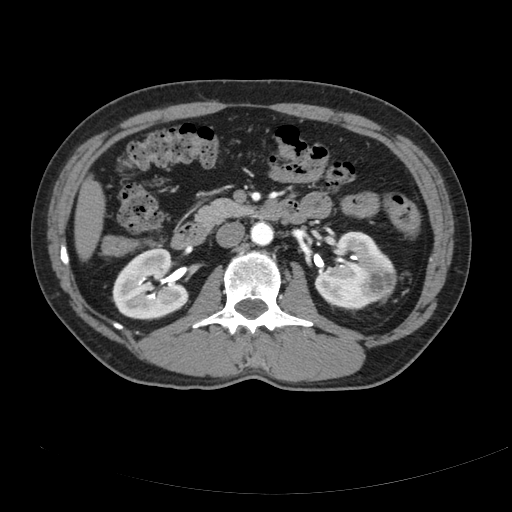
Axial slice 108 of 178 of a contrast-enhanced abdominal CT (slice 1 is the lowest), 120 kVp, kernel B; 3.00 mm slice thickness and 0.818 mm pixels.
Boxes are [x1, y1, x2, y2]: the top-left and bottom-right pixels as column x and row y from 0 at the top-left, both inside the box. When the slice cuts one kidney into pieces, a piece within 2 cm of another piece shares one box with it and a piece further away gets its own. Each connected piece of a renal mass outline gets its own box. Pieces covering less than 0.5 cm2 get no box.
Three boxes on this slice (two kidney boxes and one renal mass box), listed by box centre from the image's left to its right. (1) Right kidney, box [112, 247, 188, 319] (outlined area 4,117 px, about 27.6 cm2). (2) Left kidney, box [314, 231, 396, 311] (outlined area 3,723 px, about 24.9 cm2). (3) Box [362, 270, 396, 302]: left renal mass (outlined area 855 px, about 5.7 cm2).